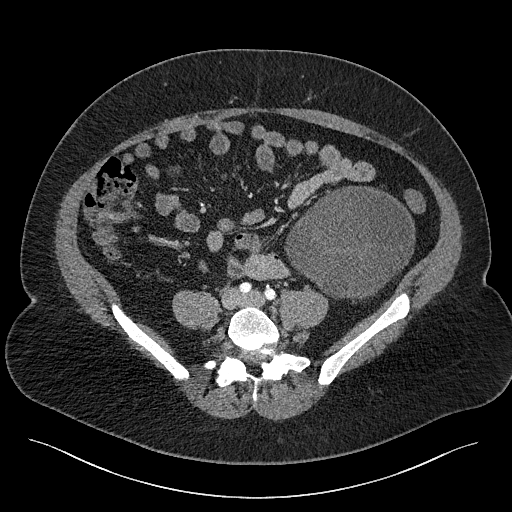
Abdominal CT with intravenous contrast, axial plane, 120 kVp, kernel I40f. Slice 49/301 from the bottom of the scan; thickness 2.00 mm; pixel size 0.859 mm.
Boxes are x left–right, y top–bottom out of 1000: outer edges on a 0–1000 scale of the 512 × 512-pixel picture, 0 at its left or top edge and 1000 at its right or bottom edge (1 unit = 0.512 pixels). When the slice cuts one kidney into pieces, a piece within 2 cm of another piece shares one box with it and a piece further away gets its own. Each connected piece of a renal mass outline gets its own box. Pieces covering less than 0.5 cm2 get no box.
Box x 557–811, y 363–586 out of 1000: left renal mass (outlined area 10,814 px, about 79.9 cm2); this slice has no kidney outline, though on another slice the same outlined renal mass lies within 1 cm of the kidney.